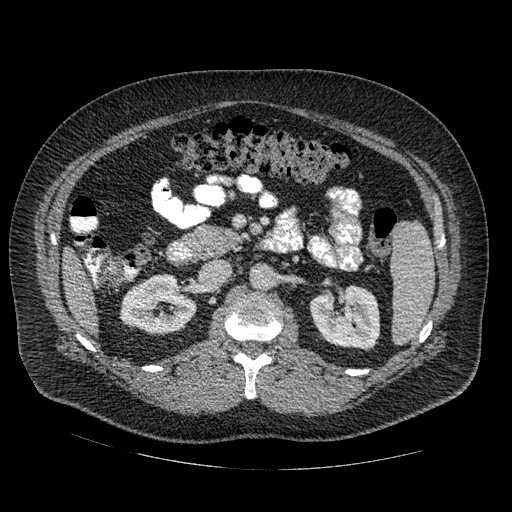
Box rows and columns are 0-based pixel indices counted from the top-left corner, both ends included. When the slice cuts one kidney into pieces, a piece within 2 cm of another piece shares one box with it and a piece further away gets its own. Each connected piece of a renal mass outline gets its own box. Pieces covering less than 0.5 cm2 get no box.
Arterial-phase contrast-enhanced abdominal CT, axial slice 284 of 445 (counted from the lowest slice); 1.25 mm thick, 0.863 mm per pixel. Two boxes on this slice (two kidney boxes), listed by box centre from the image's left to its right. (1) Right kidney, box rows 274–335, columns 119–196 (outlined area 3,412 px, about 25.4 cm2). (2) Left kidney at rows 284–350, columns 310–380 (outlined area 3,630 px, about 27.1 cm2). This slice carries no renal mass outline.
Acquired at 120 kVp and reconstructed with the STANDARD kernel.